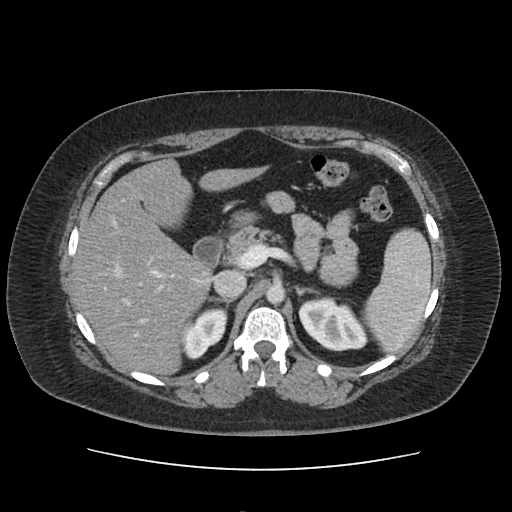
Arterial-phase contrast-enhanced abdominal CT, axial slice 78 of 103 (counted from the lowest slice); tube voltage 120 kVp, convolution kernel FC19; slices 5.00 mm thick, 0.873 mm per pixel.
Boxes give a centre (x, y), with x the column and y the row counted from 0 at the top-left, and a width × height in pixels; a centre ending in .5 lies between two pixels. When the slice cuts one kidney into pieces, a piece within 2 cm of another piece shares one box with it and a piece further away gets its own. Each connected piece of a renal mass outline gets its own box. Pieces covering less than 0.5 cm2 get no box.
Boxed on this slice (two kidney boxes), listed by box centre from the image's left to its right: (1) Box centre (205.5, 333), 44 × 53 pixels: right kidney (outlined area 1,527 px, about 11.6 cm2). (2) Box centre (333, 323.5), 71 × 56 pixels: left kidney (outlined area 2,726 px, about 20.8 cm2). No renal mass outline on this slice.